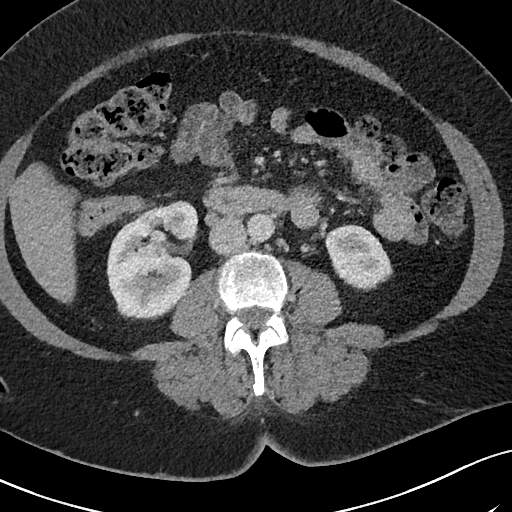
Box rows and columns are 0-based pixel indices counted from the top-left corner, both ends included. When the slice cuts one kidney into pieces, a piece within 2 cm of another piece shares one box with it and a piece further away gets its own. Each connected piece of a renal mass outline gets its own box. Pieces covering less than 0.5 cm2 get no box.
Arterial-phase contrast-enhanced abdominal CT, axial slice 33 of 69 (counted from the lowest slice); 3.00 mm thick, 0.664 mm per pixel. Two boxes on this slice (two kidney boxes), listed by box centre from the image's left to its right. (1) Right kidney, box rows 200–320, columns 106–198 (outlined area 8,212 px, about 36.2 cm2). (2) Left kidney at rows 224–291, columns 325–392 (outlined area 3,196 px, about 14.1 cm2). No renal mass is outlined on this slice.
Scan settings: 120 kVp, I40f reconstruction kernel.